Axial slice 47 of 285 of a contrast-enhanced abdominal CT in the arterial phase (slice 1 is the lowest), 120 kVp, kernel B31f; 2.00 mm slice thickness and 0.762 mm pixels.
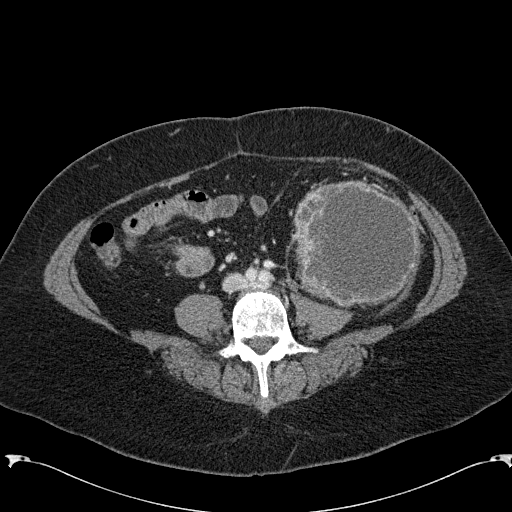
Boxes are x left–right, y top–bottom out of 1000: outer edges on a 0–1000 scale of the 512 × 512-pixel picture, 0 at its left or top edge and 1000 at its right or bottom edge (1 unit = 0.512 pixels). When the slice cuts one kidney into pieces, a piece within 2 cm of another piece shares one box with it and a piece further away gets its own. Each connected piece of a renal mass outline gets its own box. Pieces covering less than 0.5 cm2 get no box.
Left renal mass, box x 572–824, y 354–602 out of 1000 (outlined area 13,065 px, about 75.8 cm2); no kidney outline appears on this slice, but the same outlined renal mass comes within 1 cm of the kidney on another slice.